Abdominal CT with intravenous contrast, arterial phase, axial plane, 120 kVp, kernel I30f. Slice 481/738 from the bottom of the scan; thickness 1.00 mm; pixel size 0.789 mm.
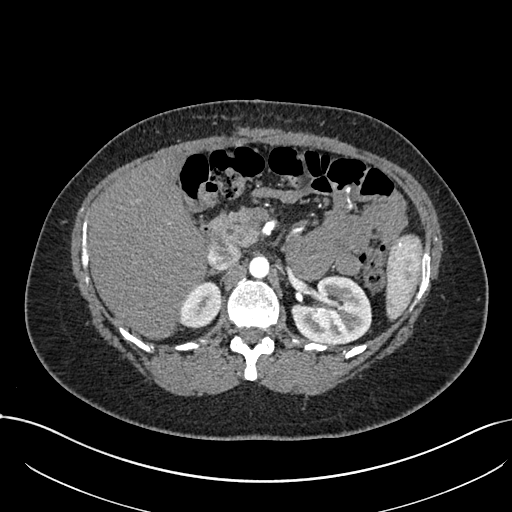
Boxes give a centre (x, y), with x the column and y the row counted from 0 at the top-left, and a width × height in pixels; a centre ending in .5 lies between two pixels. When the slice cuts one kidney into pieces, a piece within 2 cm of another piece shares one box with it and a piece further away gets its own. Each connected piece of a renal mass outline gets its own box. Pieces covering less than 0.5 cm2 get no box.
Two kidney boxes on this slice; by box centre, from the image's left to its right: (1) Right kidney, box centre (200, 305), 41 × 49 pixels (outlined area 1,513 px, about 9.4 cm2). (2) Left kidney, box centre (331, 309.5), 83 × 70 pixels (outlined area 4,259 px, about 26.5 cm2). No renal mass is outlined on this slice.